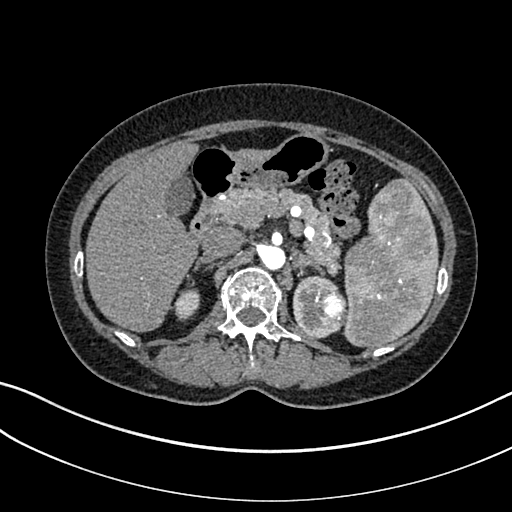
Axial slice 226 of 325 of a contrast-enhanced abdominal CT in the arterial phase (slice 1 is the lowest), 100 kVp, kernel I30f; 1.00 mm slice thickness and 0.703 mm pixels.
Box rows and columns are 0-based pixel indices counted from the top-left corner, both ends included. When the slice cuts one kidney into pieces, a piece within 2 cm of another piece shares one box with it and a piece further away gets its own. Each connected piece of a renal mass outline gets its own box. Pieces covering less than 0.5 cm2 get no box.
Boxed on this slice (two kidney boxes and one renal mass box), listed by box centre from the image's left to its right: (1) Right kidney at rows 289–320, columns 173–199 (outlined area 630 px, about 3.1 cm2). (2) Left kidney at rows 274–339, columns 293–338 (outlined area 1,506 px, about 7.4 cm2). (3) Box rows 289–333, columns 312–346: left renal mass (outlined area 1,190 px, about 5.9 cm2).